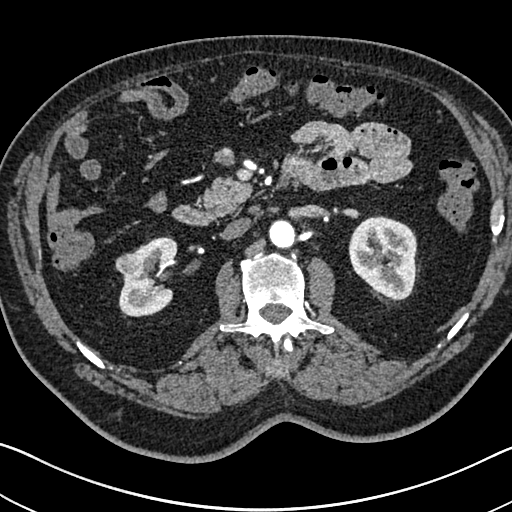
Arterial-phase contrast-enhanced abdominal CT, axial slice 422 of 705 (counted from the lowest slice); tube voltage 120 kVp, convolution kernel I30f; slices 1.00 mm thick, 0.703 mm per pixel.
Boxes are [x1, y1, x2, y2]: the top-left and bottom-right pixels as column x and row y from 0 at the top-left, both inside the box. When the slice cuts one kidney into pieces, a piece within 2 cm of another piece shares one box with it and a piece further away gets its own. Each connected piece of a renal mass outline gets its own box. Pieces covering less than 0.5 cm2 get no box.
Boxed on this slice (two kidney boxes and one renal mass box), listed by box centre from the image's left to its right: (1) Box [115, 252, 141, 279]: right renal mass (outlined area 552 px, about 2.7 cm2). (2) Box [118, 236, 177, 316]: right kidney (outlined area 3,117 px, about 15.4 cm2). (3) Left kidney, box [348, 215, 417, 300] (outlined area 4,538 px, about 22.4 cm2).